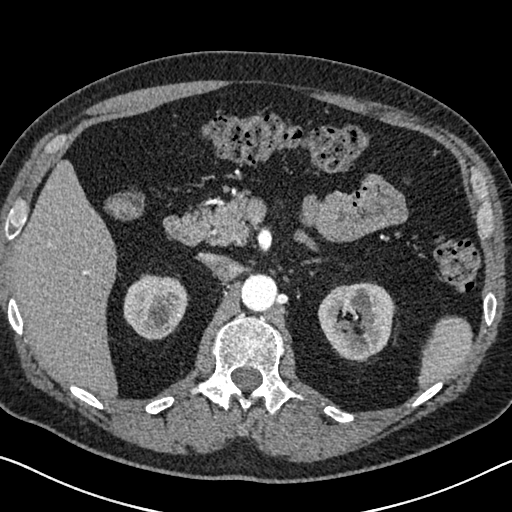
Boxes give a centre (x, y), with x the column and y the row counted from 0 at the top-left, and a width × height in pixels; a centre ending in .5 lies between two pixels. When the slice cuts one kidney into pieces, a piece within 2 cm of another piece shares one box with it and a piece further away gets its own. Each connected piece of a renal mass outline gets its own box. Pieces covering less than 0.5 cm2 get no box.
This is axial slice 455 of 626 (slice 1 is the lowest) of an arterial-phase abdominal CT with contrast; each pixel is 0.703 mm and the slice is 1.00 mm thick. Boxed on this slice (two kidney boxes), listed by box centre from the image's left to its right: (1) Box centre (155, 306.5), 65 × 66 pixels: right kidney (outlined area 3,289 px, about 16.3 cm2). (2) Left kidney in a box with centre (355.5, 321.5), 78 × 80 pixels (outlined area 4,598 px, about 22.7 cm2). This slice carries no renal mass outline.
Scan settings: 120 kVp, I30f reconstruction kernel.